Axial slice 74 of 101 of a contrast-enhanced abdominal CT (slice 1 is the lowest), 100 kVp, kernel I40f; 5.00 mm slice thickness and 0.684 mm pixels.
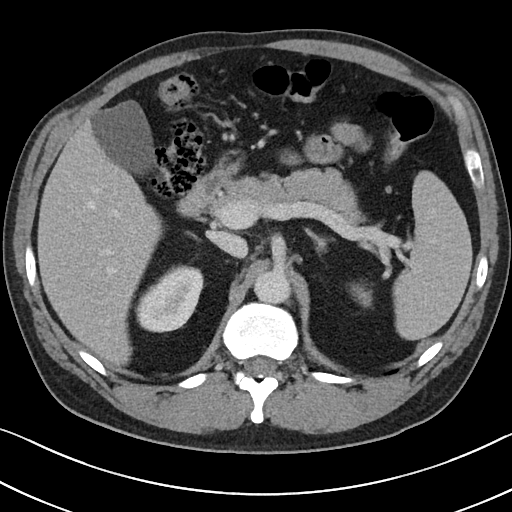
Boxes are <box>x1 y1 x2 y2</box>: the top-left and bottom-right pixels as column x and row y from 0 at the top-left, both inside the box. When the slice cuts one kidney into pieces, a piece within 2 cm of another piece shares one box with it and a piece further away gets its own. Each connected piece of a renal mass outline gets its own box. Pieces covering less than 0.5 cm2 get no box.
Boxed on this slice (two kidney boxes), listed by box centre from the image's left to its right: (1) Right kidney at <box>135 265 203 332</box> (outlined area 3,252 px, about 15.2 cm2). (2) At <box>350 283 372 307</box>: left kidney (outlined area 358 px, about 1.7 cm2). No renal mass is outlined on this slice.